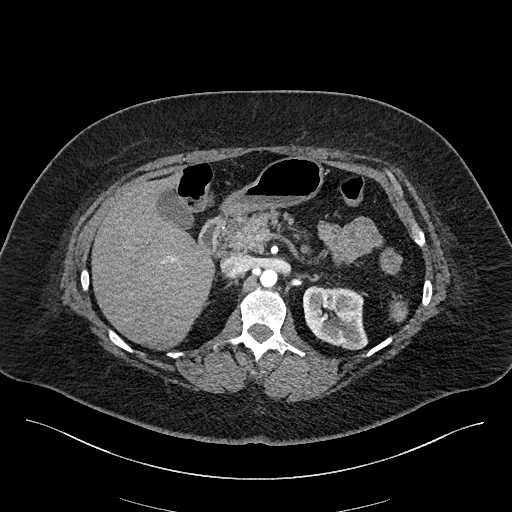
Arterial-phase contrast-enhanced abdominal CT, axial slice 135 of 270 (counted from the lowest slice); tube voltage 100 kVp, convolution kernel I40f; slices 2.00 mm thick, 0.855 mm per pixel.
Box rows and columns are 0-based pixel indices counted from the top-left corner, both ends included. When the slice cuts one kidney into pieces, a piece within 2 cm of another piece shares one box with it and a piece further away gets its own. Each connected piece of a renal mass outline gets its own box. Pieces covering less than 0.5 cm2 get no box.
Box rows 286–349, columns 303–368: left kidney (outlined area 3,267 px, about 23.9 cm2). No renal mass outline on this slice.